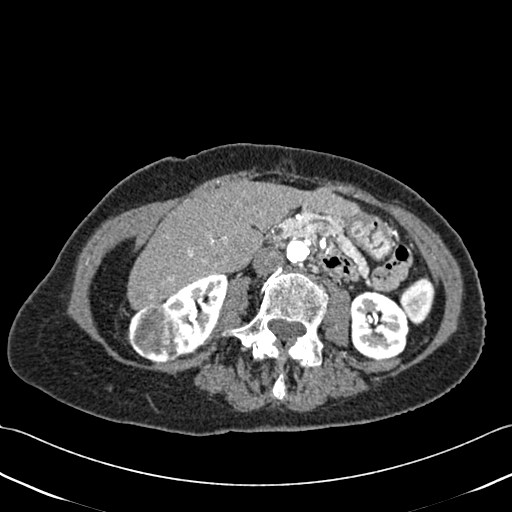
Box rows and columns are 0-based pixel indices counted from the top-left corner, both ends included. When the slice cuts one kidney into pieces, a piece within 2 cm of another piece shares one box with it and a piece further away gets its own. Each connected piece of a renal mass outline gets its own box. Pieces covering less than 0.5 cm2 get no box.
Contrast-enhanced abdominal CT, axial slice 210 of 433 (counted from the lowest slice); 1.00 mm thick, 0.672 mm per pixel. Boxed on this slice (two kidney boxes and one renal mass box), listed by box centre from the image's left to its right: (1) Right renal mass, box rows 303–362, columns 127–184 (outlined area 2,665 px, about 12.0 cm2). (2) Right kidney at rows 274–356, columns 161–229 (outlined area 2,946 px, about 13.3 cm2). (3) Box rows 290–360, columns 350–409: left kidney (outlined area 3,325 px, about 15.0 cm2).
Tube voltage 120 kVp; convolution kernel B30f.